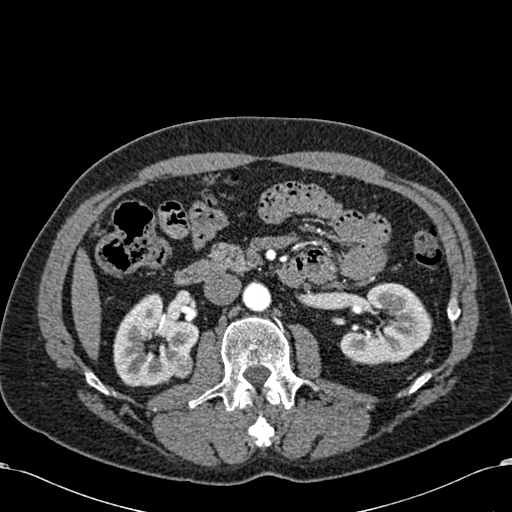
Arterial-phase contrast-enhanced abdominal CT, axial slice 349 of 581 (counted from the lowest slice); tube voltage 120 kVp, convolution kernel B30f; slices 1.00 mm thick, 0.713 mm per pixel.
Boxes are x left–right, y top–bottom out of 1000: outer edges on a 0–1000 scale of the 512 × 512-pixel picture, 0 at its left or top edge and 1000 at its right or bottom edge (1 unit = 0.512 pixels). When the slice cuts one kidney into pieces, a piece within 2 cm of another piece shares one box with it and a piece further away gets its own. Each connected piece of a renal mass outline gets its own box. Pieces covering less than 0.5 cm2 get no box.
Three boxes on this slice (two kidney boxes and one renal mass box), listed by box centre from the image's left to its right. (1) Box x 221–391, y 572–756 out of 1000: right kidney (outlined area 5,255 px, about 26.7 cm2). (2) Box x 330–379, y 688–740 out of 1000: right renal mass (outlined area 524 px, about 2.7 cm2). (3) Left kidney at x 662–846, y 551–715 out of 1000 (outlined area 5,111 px, about 26.0 cm2).